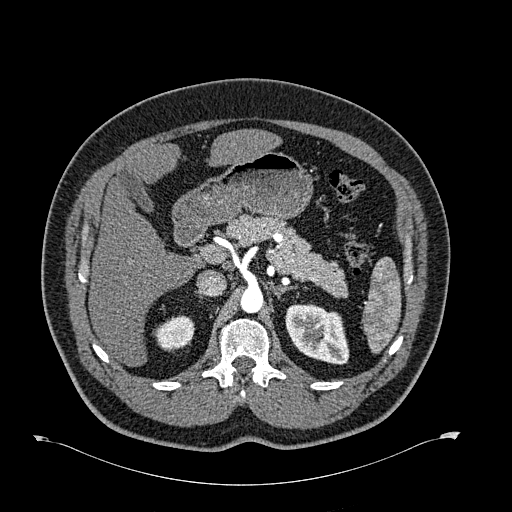
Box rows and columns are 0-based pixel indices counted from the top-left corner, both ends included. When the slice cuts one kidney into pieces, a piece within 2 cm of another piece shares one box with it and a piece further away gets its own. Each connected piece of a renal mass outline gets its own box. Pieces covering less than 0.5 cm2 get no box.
This is axial slice 448 of 723 (slice 1 is the lowest) of an arterial-phase abdominal CT with contrast; each pixel is 0.895 mm and the slice is 1.00 mm thick. Two kidney boxes on this slice; by box centre, from the image's left to its right: (1) Right kidney, box rows 315–350, columns 152–195 (outlined area 1,083 px, about 8.7 cm2). (2) Left kidney, box rows 303–364, columns 285–349 (outlined area 2,948 px, about 23.6 cm2). No renal mass is outlined on this slice.
Acquired at 120 kVp and reconstructed with the B30f kernel.